Abdominal CT with intravenous contrast, arterial phase, axial plane, 120 kVp, kernel B30f. Slice 13/34 from the bottom of the scan; thickness 5.00 mm; pixel size 0.830 mm.
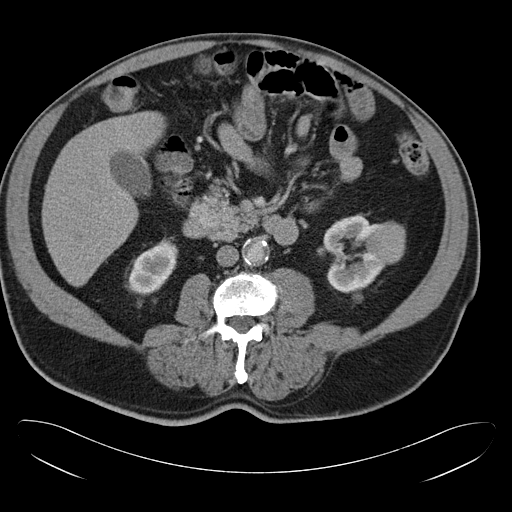
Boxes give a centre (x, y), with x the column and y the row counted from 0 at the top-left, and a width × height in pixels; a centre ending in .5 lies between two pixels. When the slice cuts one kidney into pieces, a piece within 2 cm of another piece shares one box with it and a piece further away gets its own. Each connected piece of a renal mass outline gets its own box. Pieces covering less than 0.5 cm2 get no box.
Three boxes on this slice (two kidney boxes and one renal mass box), listed by box centre from the image's left to its right. (1) Right kidney, box centre (153.5, 266.5), 50 × 54 pixels (outlined area 1,784 px, about 12.3 cm2). (2) Box centre (356, 258.5), 69 × 88 pixels: left kidney (outlined area 3,312 px, about 22.8 cm2). (3) Box centre (385, 242), 41 × 43 pixels: left renal mass (outlined area 1,273 px, about 8.8 cm2).